Arterial-phase contrast-enhanced abdominal CT, axial slice 180 of 285 (counted from the lowest slice); tube voltage 120 kVp, convolution kernel B31f; slices 2.00 mm thick, 0.762 mm per pixel.
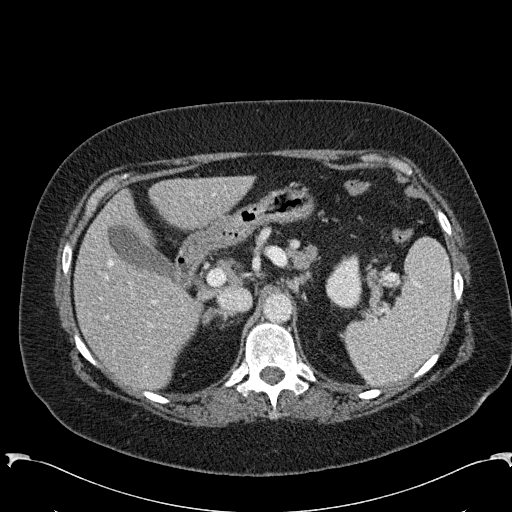
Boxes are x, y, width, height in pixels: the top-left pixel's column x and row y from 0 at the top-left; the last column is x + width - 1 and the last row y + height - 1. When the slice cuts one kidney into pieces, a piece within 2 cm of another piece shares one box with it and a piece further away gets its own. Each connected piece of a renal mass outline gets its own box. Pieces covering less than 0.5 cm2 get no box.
Box x 325, y 253, width 37, height 56: left kidney (outlined area 1,555 px, about 9.0 cm2). No renal mass outline on this slice.